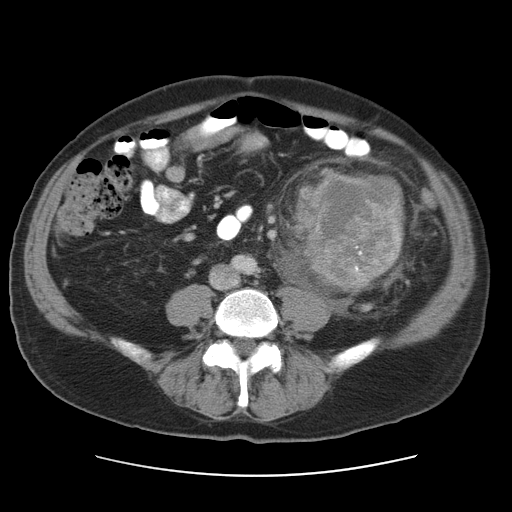
One axial slice (46 of 95, counting up from the lowest) of a contrast-enhanced abdominal CT acquired with 120 kVp, kernel STANDARD; each pixel is 0.781 mm and the slice is 5.00 mm thick.
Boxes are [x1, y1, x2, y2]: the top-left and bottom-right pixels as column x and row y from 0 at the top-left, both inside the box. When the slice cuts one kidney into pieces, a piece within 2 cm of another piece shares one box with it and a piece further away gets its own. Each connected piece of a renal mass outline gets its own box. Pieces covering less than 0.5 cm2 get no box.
Box [302, 168, 406, 293]: left renal mass (outlined area 9,958 px, about 60.8 cm2); no kidney outline appears on this slice, but the same outlined renal mass comes within 1 cm of the kidney on another slice.